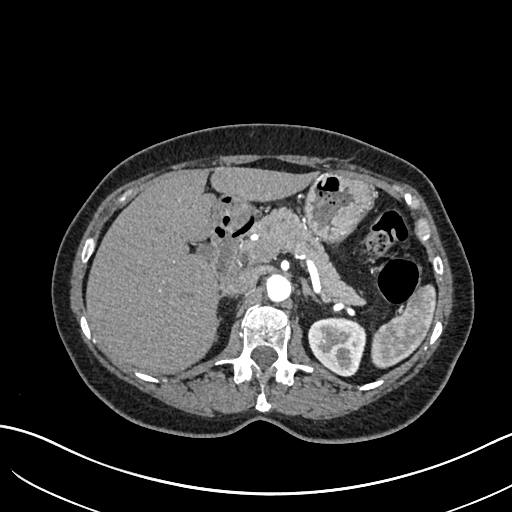
Arterial-phase contrast-enhanced abdominal CT, axial slice 447 of 683 (counted from the lowest slice); tube voltage 120 kVp, convolution kernel I30f; slices 1.00 mm thick, 0.738 mm per pixel.
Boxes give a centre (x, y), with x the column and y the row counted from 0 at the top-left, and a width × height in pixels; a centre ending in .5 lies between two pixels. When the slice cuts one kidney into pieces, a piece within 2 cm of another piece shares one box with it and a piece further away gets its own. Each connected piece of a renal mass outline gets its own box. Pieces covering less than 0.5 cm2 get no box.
Left kidney, box centre (337, 346.5), 59 × 60 pixels (outlined area 2,681 px, about 14.6 cm2). No renal mass outline on this slice.